Axial slice 381 of 705 of a contrast-enhanced abdominal CT in the arterial phase (slice 1 is the lowest), 120 kVp, kernel I30f; 1.00 mm slice thickness and 0.703 mm pixels.
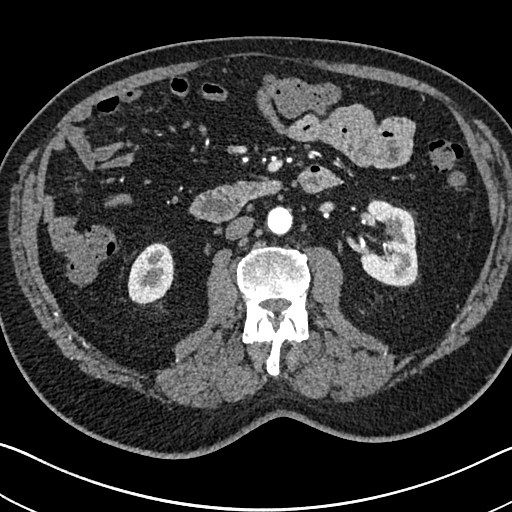
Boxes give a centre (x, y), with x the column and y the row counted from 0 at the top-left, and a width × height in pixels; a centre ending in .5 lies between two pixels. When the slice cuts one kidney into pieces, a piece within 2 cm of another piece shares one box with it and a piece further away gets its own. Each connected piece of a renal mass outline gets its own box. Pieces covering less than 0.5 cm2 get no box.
Two boxes on this slice (two kidney boxes), listed by box centre from the image's left to its right. (1) Box centre (150.5, 273), 48 × 63 pixels: right kidney (outlined area 2,220 px, about 11.0 cm2). (2) Left kidney in a box with centre (389, 243), 61 × 89 pixels (outlined area 3,853 px, about 19.0 cm2). No renal mass outline on this slice.